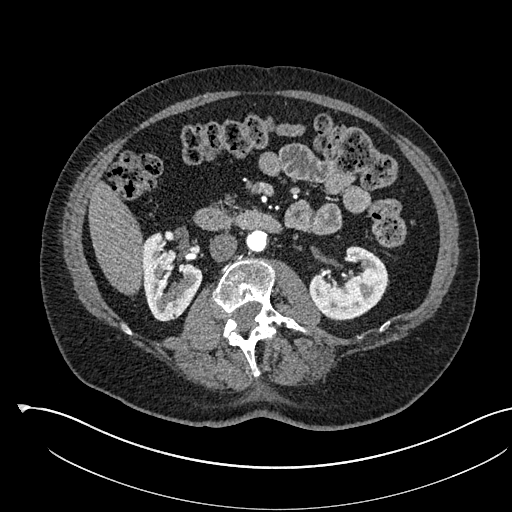
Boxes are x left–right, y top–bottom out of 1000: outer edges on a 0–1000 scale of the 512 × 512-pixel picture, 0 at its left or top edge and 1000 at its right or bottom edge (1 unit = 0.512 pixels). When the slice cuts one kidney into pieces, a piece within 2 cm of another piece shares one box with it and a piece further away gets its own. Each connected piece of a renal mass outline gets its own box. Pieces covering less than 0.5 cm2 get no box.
This is axial slice 297 of 541 (slice 1 is the lowest) of an arterial-phase abdominal CT with contrast; each pixel is 0.834 mm and the slice is 1.00 mm thick. Boxed on this slice (two kidney boxes), listed by box centre from the image's left to its right: (1) Right kidney at x 279–396, y 453–629 out of 1000 (outlined area 3,572 px, about 24.8 cm2). (2) Left kidney at x 602–760, y 480–625 out of 1000 (outlined area 3,900 px, about 27.1 cm2). No renal mass is outlined on this slice.
Scan settings: 120 kVp, I30f reconstruction kernel.